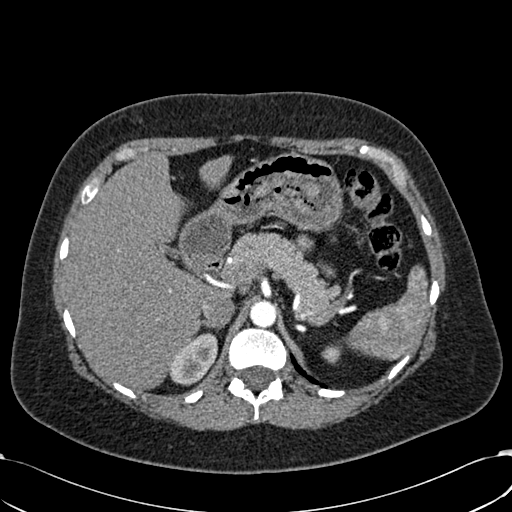
Axial slice 448 of 532 of a contrast-enhanced abdominal CT in the arterial phase (slice 1 is the lowest), 120 kVp, kernel B30f; 1.00 mm slice thickness and 0.713 mm pixels.
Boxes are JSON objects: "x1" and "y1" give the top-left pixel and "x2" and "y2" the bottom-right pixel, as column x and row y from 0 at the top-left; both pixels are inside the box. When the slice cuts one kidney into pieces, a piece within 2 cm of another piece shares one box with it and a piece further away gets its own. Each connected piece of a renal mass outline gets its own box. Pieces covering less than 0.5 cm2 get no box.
Boxed on this slice (two kidney boxes), listed by box centre from the image's left to its right: (1) Right kidney at {"x1": 169, "y1": 333, "x2": 217, "y2": 385} (outlined area 1,804 px, about 9.2 cm2). (2) Left kidney at {"x1": 321, "y1": 344, "x2": 342, "y2": 363} (outlined area 282 px, about 1.4 cm2). No renal mass is outlined on this slice.